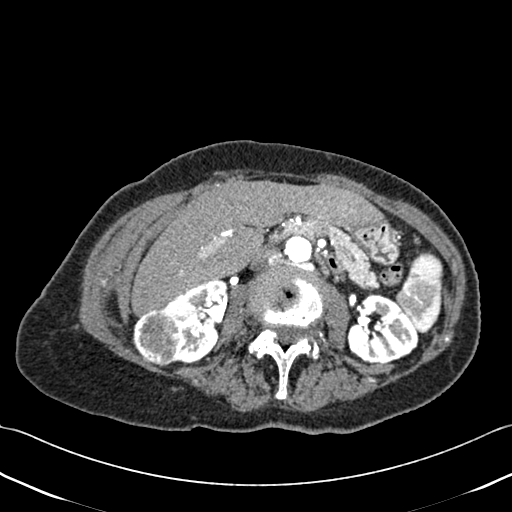
Axial slice 234 of 433 of a contrast-enhanced abdominal CT (slice 1 is the lowest), 120 kVp, kernel B30f; 1.00 mm slice thickness and 0.672 mm pixels.
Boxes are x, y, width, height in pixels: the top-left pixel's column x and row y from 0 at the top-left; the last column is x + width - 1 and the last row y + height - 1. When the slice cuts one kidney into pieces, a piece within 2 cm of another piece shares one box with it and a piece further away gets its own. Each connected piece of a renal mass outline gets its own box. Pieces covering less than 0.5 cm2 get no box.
Two kidney boxes and one renal mass box on this slice; by box centre, from the image's left to its right: (1) Right renal mass, box x 132, y 309, width 51, height 58 (outlined area 2,219 px, about 10.0 cm2). (2) Right kidney at x 163, y 280, width 66, height 85 (outlined area 3,368 px, about 15.2 cm2). (3) Left kidney, box x 347, y 293, width 72, height 72 (outlined area 3,622 px, about 16.4 cm2).